Axial slice 15 of 77 of a contrast-enhanced abdominal CT in the arterial phase (slice 1 is the lowest), 100 kVp, kernel B41f; 3.00 mm slice thickness and 0.809 mm pixels.
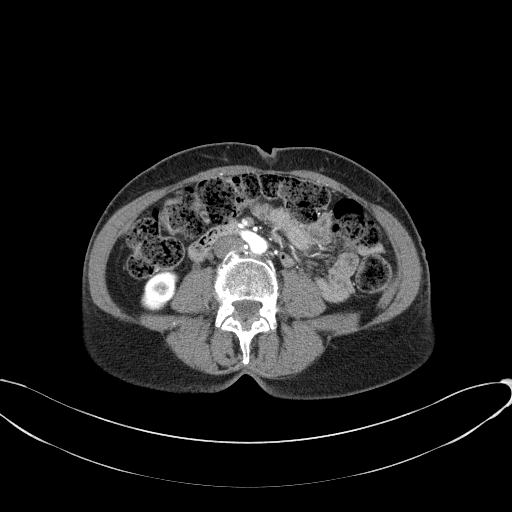
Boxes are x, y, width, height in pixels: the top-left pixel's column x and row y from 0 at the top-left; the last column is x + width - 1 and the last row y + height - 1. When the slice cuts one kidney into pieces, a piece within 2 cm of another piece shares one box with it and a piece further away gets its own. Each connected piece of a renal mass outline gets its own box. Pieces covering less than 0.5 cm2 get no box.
Right kidney, box x 141, y 271, width 38, height 41 (outlined area 1,118 px, about 7.3 cm2). No renal mass is outlined on this slice.